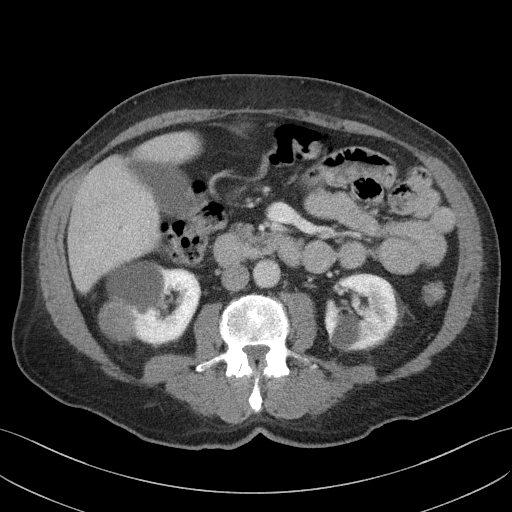
Contrast-enhanced abdominal CT, axial slice 64 of 103 (counted from the lowest slice); tube voltage 100 kVp, convolution kernel I41f; slices 4.00 mm thick, 0.742 mm per pixel.
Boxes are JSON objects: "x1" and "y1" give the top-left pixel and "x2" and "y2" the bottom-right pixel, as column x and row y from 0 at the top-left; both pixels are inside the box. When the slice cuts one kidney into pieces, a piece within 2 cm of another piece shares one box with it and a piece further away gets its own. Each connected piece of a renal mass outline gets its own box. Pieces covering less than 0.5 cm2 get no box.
Two boxes on this slice (two kidney boxes), listed by box centre from the image's left to its right. (1) Right kidney, box {"x1": 98, "y1": 260, "x2": 201, "y2": 344} (outlined area 6,782 px, about 37.4 cm2). (2) Left kidney, box {"x1": 324, "y1": 273, "x2": 397, "y2": 351} (outlined area 4,568 px, about 25.2 cm2). No renal mass outline on this slice.